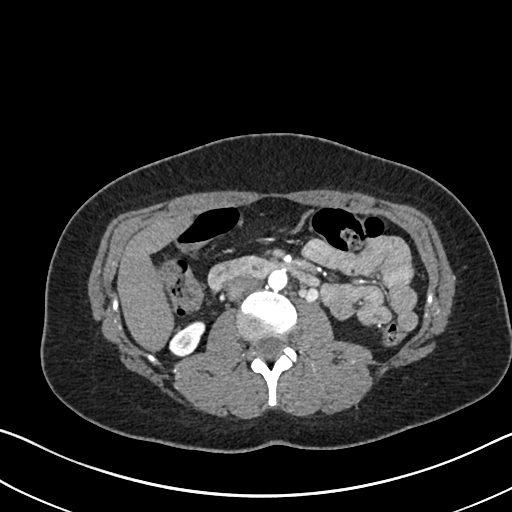
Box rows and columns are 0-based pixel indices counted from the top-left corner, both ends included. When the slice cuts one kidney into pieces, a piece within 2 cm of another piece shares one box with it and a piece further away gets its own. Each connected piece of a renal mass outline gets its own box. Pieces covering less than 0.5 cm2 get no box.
Slice 365/612 of a contrast-enhanced abdominal CT in the arterial phase, counting up from the lowest; pixel size 0.703 mm, slice thickness 1.00 mm. Box rows 321–355, columns 169–205: right kidney (outlined area 860 px, about 4.3 cm2). No renal mass is outlined on this slice.
Acquired at 120 kVp and reconstructed with the I30f kernel.